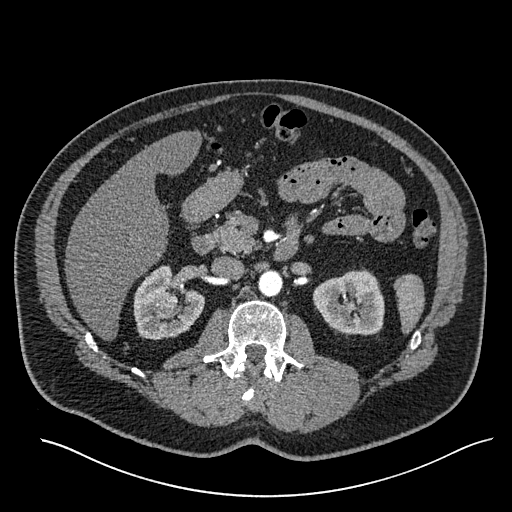
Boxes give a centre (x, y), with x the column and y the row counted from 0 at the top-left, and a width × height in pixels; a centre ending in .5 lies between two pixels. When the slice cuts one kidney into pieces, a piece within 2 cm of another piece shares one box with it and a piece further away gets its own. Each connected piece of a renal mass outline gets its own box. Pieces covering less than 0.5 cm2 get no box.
This is axial slice 348 of 527 (slice 1 is the lowest) of an arterial-phase abdominal CT with contrast; each pixel is 0.859 mm and the slice is 1.00 mm thick. Three boxes on this slice (two kidney boxes and one renal mass box), listed by box centre from the image's left to its right. (1) Right renal mass in a box with centre (166, 300.5), 23 × 20 pixels (outlined area 382 px, about 2.8 cm2). (2) Box centre (169, 302), 73 × 77 pixels: right kidney (outlined area 3,418 px, about 25.2 cm2). (3) Box centre (348.5, 302), 72 × 69 pixels: left kidney (outlined area 3,705 px, about 27.4 cm2).
Scan settings: 120 kVp, I30f reconstruction kernel.